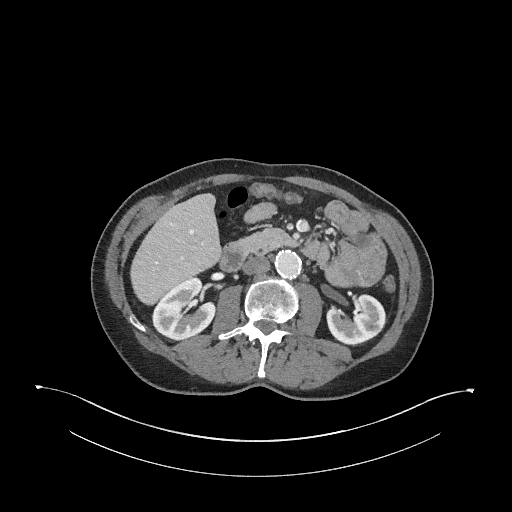
Axial slice 150 of 345 of a contrast-enhanced abdominal CT in the arterial phase (slice 1 is the lowest), 120 kVp, kernel I31f; 2.00 mm slice thickness and 0.977 mm pixels.
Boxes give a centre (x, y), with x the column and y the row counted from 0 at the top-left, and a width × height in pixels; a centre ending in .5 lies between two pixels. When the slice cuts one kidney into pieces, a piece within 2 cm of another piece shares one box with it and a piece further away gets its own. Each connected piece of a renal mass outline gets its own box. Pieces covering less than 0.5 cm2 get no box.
Two boxes on this slice (two kidney boxes), listed by box centre from the image's left to its right. (1) Right kidney, box centre (184, 307.5), 65 × 64 pixels (outlined area 2,812 px, about 26.8 cm2). (2) Left kidney in a box with centre (356, 319), 61 × 53 pixels (outlined area 2,174 px, about 20.7 cm2). This slice carries no renal mass outline.